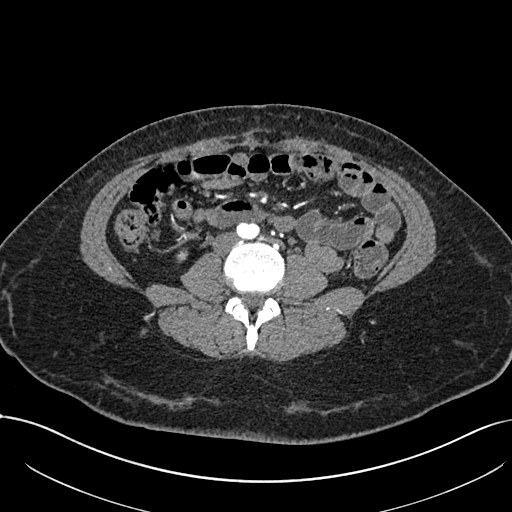
Abdominal CT with intravenous contrast, arterial phase, axial plane, 120 kVp, kernel I30f. Slice 301/738 from the bottom of the scan; thickness 1.00 mm; pixel size 0.789 mm.
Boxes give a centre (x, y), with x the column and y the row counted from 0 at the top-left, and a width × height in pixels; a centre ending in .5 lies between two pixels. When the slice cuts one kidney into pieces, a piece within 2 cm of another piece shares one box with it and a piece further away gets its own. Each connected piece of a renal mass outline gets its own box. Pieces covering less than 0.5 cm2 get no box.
Right kidney in a box with centre (181.5, 255), 12 × 15 pixels (outlined area 125 px, about 0.8 cm2). No renal mass is outlined on this slice.